One axial slice (523 of 738, counting up from the lowest) of an arterial-phase abdominal CT acquired with 120 kVp, kernel I30f; each pixel is 0.789 mm and the slice is 1.00 mm thick.
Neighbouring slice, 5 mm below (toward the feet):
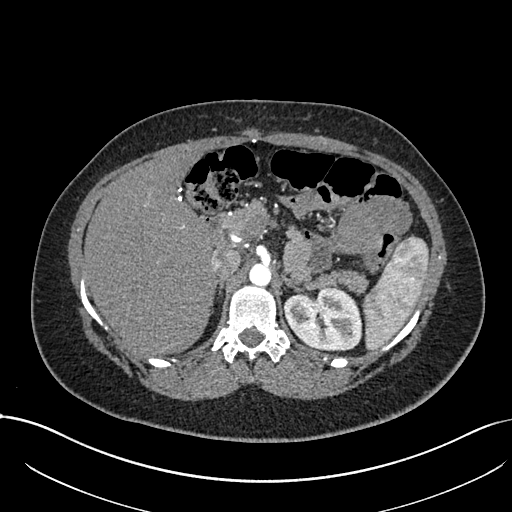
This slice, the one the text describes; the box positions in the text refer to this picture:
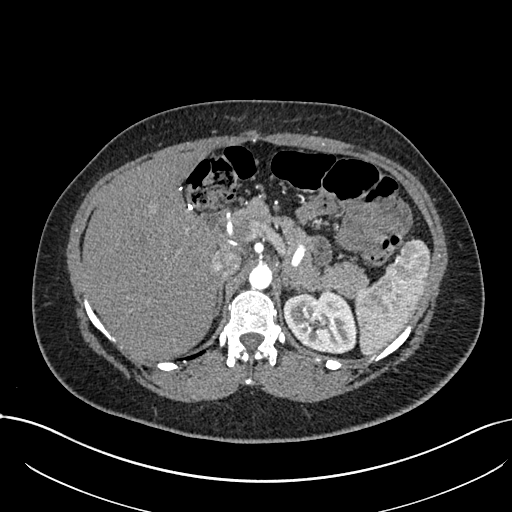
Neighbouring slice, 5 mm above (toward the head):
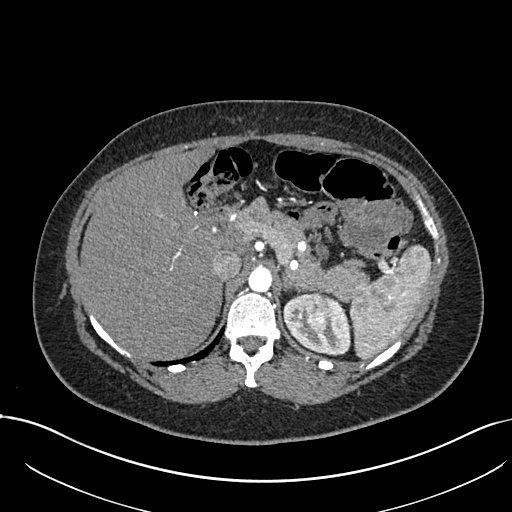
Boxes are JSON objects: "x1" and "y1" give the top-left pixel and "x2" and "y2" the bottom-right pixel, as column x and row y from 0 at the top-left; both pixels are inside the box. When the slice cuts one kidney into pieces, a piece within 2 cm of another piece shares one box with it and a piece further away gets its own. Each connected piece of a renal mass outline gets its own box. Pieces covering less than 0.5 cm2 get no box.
One kidney box and one renal mass box on this slice; by box centre, from the image's left to its right: (1) Left renal mass, box {"x1": 308, "y1": 301, "x2": 324, "y2": 317} (outlined area 215 px, about 1.3 cm2). (2) Left kidney at {"x1": 282, "y1": 291, "x2": 356, "y2": 353} (outlined area 3,445 px, about 21.4 cm2). This slice is near the end of the left renal mass toward the feet, so the slices 5 mm below and 5 mm above it are shown as well; the boxes refer to this slice only.